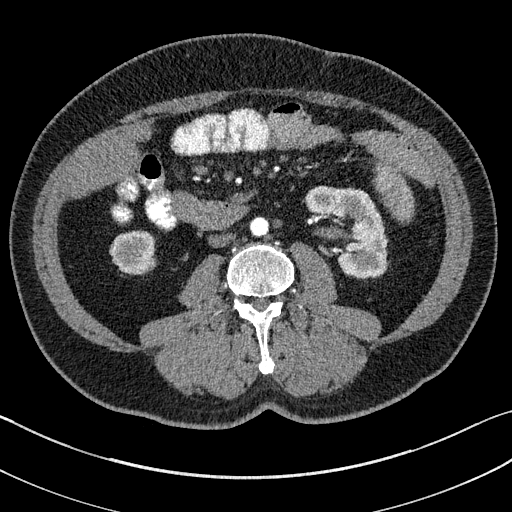
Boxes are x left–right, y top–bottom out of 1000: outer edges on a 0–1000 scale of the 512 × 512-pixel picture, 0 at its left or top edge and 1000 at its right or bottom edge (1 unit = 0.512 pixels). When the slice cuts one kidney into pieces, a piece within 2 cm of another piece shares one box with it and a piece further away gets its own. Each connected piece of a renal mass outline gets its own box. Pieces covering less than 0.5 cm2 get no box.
Arterial-phase contrast-enhanced abdominal CT, axial slice 61 of 195 (counted from the lowest slice); 1.50 mm thick, 0.707 mm per pixel. Two kidney boxes on this slice; by box centre, from the image's left to its right: (1) Right kidney, box x 215–305, y 451–537 out of 1000 (outlined area 1,641 px, about 8.2 cm2). (2) Left kidney at x 596–758, y 363–545 out of 1000 (outlined area 4,857 px, about 24.3 cm2). No renal mass outline on this slice.
Tube voltage 100 kVp; convolution kernel I31f.